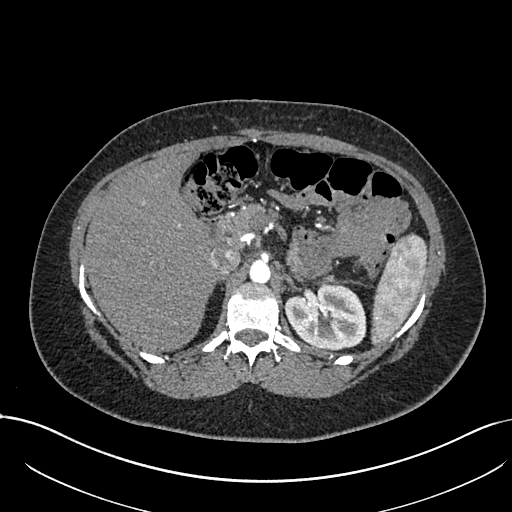
One axial slice (504 of 738, counting up from the lowest) of an arterial-phase abdominal CT acquired with 120 kVp, kernel I30f; each pixel is 0.789 mm and the slice is 1.00 mm thick.
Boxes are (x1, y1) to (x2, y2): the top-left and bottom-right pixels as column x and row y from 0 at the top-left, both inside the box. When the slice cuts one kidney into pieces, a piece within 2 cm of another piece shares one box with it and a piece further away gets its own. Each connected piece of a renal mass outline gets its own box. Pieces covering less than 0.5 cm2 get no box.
Box (284, 282) to (366, 349): left kidney (outlined area 4,270 px, about 26.6 cm2). No renal mass is outlined on this slice.